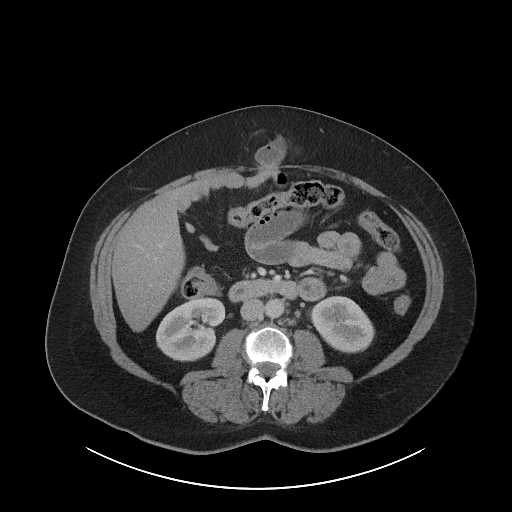
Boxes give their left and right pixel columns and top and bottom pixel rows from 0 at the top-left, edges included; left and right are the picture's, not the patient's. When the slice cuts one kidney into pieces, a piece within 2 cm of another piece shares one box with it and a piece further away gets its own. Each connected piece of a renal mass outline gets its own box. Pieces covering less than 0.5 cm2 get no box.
This is axial slice 49 of 86 (slice 1 is the lowest) of an arterial-phase abdominal CT with contrast; each pixel is 0.977 mm and the slice is 5.00 mm thick. Boxed on this slice (two kidney boxes), listed by box centre from the image's left to its right: (1) Right kidney in the box with left 156, top 297, right 226, bottom 361 (outlined area 3,305 px, about 31.5 cm2). (2) Left kidney in the box with left 311, top 295, right 374, bottom 353 (outlined area 2,663 px, about 25.4 cm2).
Tube voltage 120 kVp; convolution kernel I40f.